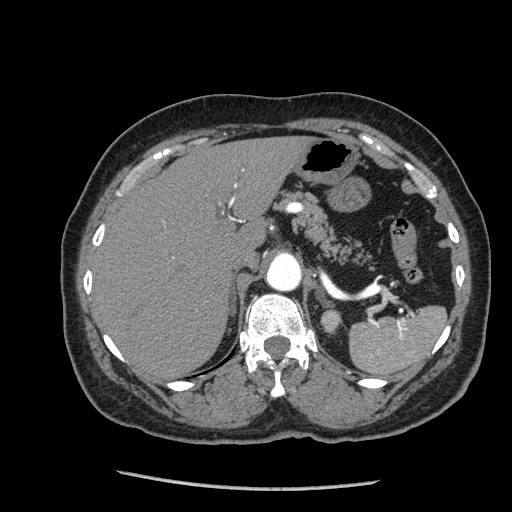
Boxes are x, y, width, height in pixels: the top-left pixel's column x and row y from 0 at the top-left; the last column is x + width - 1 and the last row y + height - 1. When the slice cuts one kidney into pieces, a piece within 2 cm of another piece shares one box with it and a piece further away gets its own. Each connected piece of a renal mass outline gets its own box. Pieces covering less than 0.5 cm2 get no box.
Arterial-phase contrast-enhanced abdominal CT, axial slice 168 of 233 (counted from the lowest slice); 1.25 mm thick, 0.703 mm per pixel. Left kidney at x 320, y 309, width 23, height 26 (outlined area 422 px, about 2.1 cm2). This slice carries no renal mass outline.
Scan settings: 120 kVp, STANDARD reconstruction kernel.